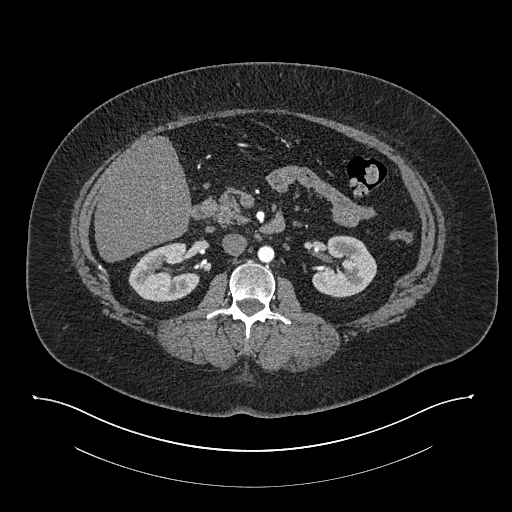
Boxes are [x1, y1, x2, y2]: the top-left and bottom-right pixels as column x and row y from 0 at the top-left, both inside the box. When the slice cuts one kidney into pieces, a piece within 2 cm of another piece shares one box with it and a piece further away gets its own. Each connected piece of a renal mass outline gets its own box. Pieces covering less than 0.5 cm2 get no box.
This is axial slice 455 of 673 (slice 1 is the lowest) of an arterial-phase abdominal CT with contrast; each pixel is 0.957 mm and the slice is 1.00 mm thick. Two boxes on this slice (two kidney boxes), listed by box centre from the image's left to its right. (1) Right kidney at [128, 242, 199, 302] (outlined area 3,011 px, about 27.6 cm2). (2) Left kidney, box [312, 235, 376, 297] (outlined area 2,975 px, about 27.2 cm2). No renal mass outline on this slice.
Acquired at 140 kVp and reconstructed with the I30f kernel.